Axial slice 34 of 94 of a contrast-enhanced abdominal CT (slice 1 is the lowest), 120 kVp, kernel B41f; 3.00 mm slice thickness and 0.977 mm pixels.
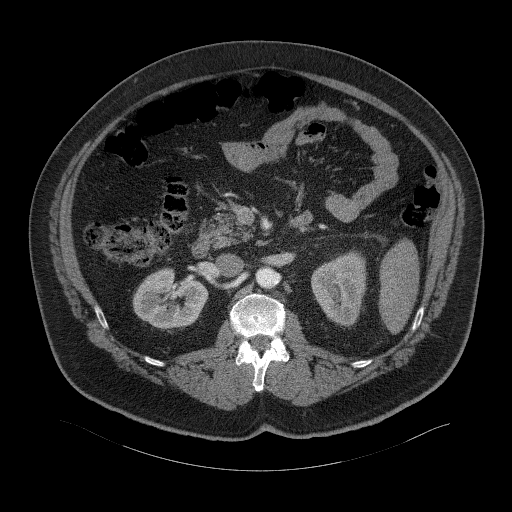
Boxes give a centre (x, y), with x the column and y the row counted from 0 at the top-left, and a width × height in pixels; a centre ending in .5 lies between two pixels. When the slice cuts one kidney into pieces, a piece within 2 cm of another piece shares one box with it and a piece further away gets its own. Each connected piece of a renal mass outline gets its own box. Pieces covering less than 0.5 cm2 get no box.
Two boxes on this slice (two kidney boxes), listed by box centre from the image's left to its right. (1) Right kidney, box centre (170, 299.5), 77 × 66 pixels (outlined area 3,368 px, about 32.1 cm2). (2) Left kidney, box centre (338.5, 288.5), 56 × 78 pixels (outlined area 3,133 px, about 29.9 cm2). This slice carries no renal mass outline.